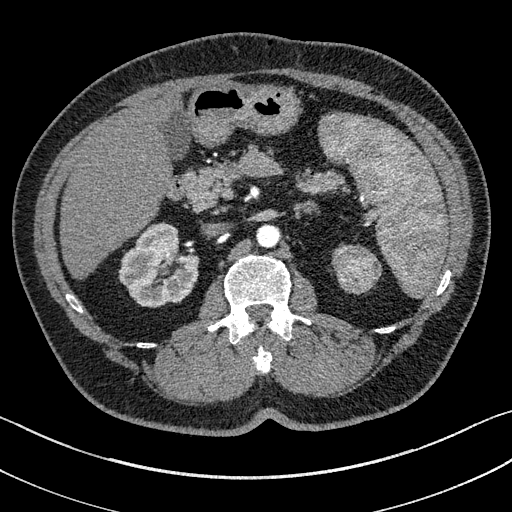
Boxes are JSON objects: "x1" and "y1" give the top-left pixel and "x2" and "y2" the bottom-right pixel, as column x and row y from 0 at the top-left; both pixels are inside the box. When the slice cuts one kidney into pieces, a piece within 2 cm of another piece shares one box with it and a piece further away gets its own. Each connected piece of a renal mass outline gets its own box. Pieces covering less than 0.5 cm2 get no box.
This is axial slice 95 of 195 (slice 1 is the lowest) of an arterial-phase abdominal CT with contrast; each pixel is 0.707 mm and the slice is 1.50 mm thick. Boxed on this slice (one kidney box and one renal mass box), listed by box centre from the image's left to its right: (1) Right kidney at {"x1": 119, "y1": 223, "x2": 198, "y2": 307} (outlined area 4,753 px, about 23.8 cm2). (2) Left renal mass at {"x1": 332, "y1": 245, "x2": 381, "y2": 293} (outlined area 1,835 px, about 9.2 cm2); it sits over 1 cm from every kidney outline on this slice, but the same outlined renal mass comes within 1 cm of the kidney on another slice.
Acquired at 100 kVp and reconstructed with the I31f kernel.